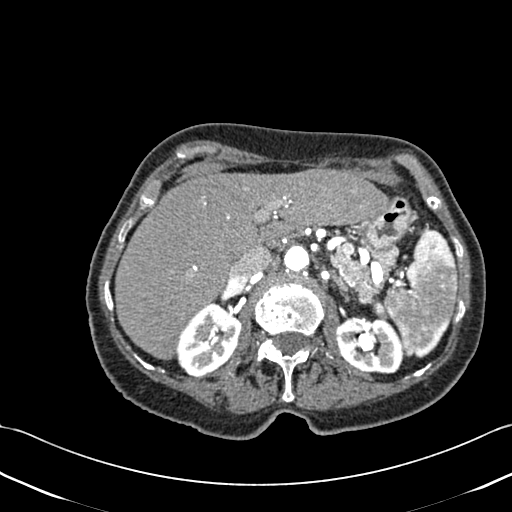
Abdominal CT with intravenous contrast, axial plane, 120 kVp, kernel B30f. Slice 302/433 from the bottom of the scan; thickness 1.00 mm; pixel size 0.672 mm.
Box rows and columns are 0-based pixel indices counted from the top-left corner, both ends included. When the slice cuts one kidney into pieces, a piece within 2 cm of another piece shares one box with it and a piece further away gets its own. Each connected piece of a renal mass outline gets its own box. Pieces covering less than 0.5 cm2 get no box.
Two boxes on this slice (two kidney boxes), listed by box centre from the image's left to its right. (1) Box rows 303–376, columns 176–241: right kidney (outlined area 3,330 px, about 15.0 cm2). (2) Left kidney, box rows 317–373, columns 335–405 (outlined area 3,158 px, about 14.3 cm2). No renal mass outline on this slice.